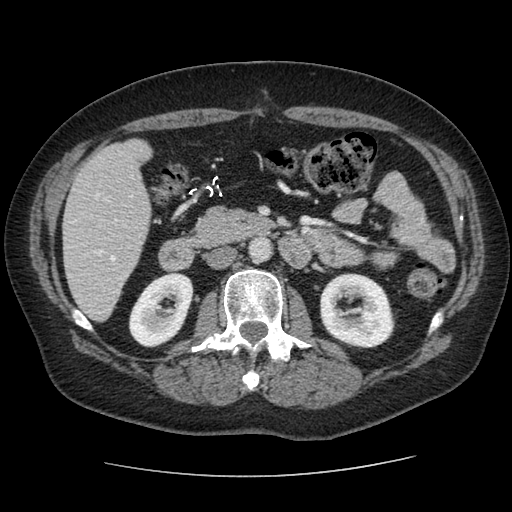
Abdominal CT with intravenous contrast, arterial phase, axial plane, 120 kVp, kernel STANDARD. Slice 42/96 from the bottom of the scan; thickness 2.50 mm; pixel size 0.689 mm.
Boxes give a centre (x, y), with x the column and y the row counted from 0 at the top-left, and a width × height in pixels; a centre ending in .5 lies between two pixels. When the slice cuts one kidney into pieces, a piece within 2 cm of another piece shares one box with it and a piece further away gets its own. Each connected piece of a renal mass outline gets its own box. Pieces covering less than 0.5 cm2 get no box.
Boxed on this slice (two kidney boxes), listed by box centre from the image's left to its right: (1) Box centre (160, 309.5), 65 × 76 pixels: right kidney (outlined area 3,504 px, about 16.7 cm2). (2) Left kidney in a box with centre (357, 309.5), 77 × 74 pixels (outlined area 4,348 px, about 20.7 cm2). This slice carries no renal mass outline.